Arterial-phase contrast-enhanced abdominal CT, axial slice 522 of 634 (counted from the lowest slice); tube voltage 120 kVp, convolution kernel B20f; slices 1.00 mm thick, 0.838 mm per pixel.
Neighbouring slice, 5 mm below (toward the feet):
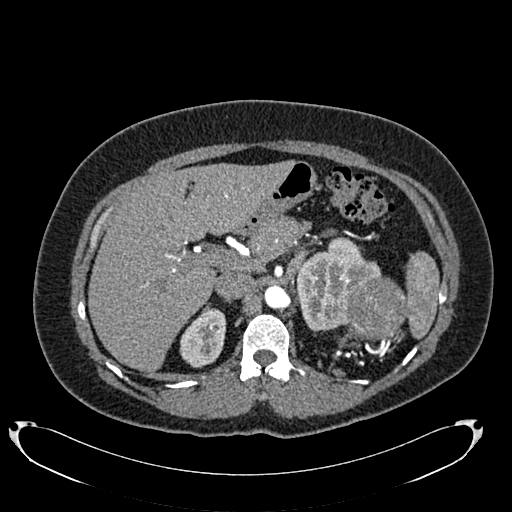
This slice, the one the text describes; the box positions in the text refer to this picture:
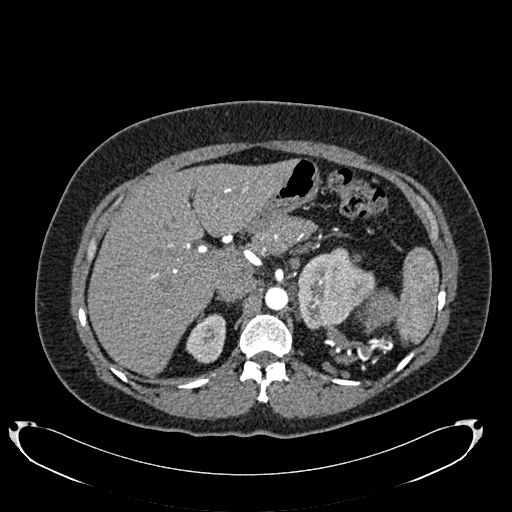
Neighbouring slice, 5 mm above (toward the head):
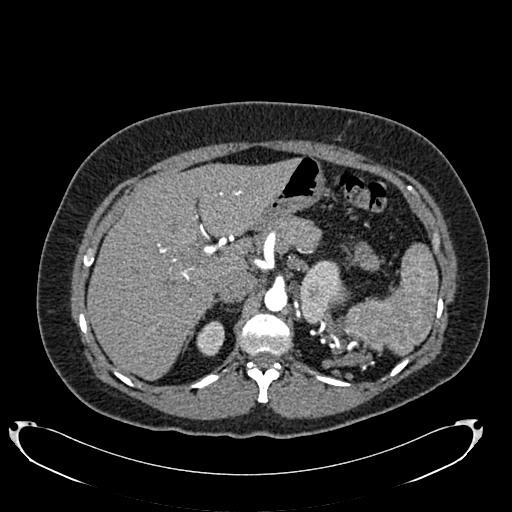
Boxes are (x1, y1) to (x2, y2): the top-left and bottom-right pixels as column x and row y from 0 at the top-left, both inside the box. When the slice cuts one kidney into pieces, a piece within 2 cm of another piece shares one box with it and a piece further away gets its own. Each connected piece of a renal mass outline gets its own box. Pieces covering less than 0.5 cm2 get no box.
Two kidney boxes and two renal mass boxes on this slice; by box centre, from the image's left to its right: (1) Box (185, 313) to (225, 363): right kidney (outlined area 1,494 px, about 10.5 cm2). (2) Left kidney, box (297, 247) to (375, 328) (outlined area 4,351 px, about 30.5 cm2). (3) Left renal mass from (355, 287) to (375, 307) (outlined area 92 px, about 0.6 cm2). (4) Left renal mass from (356, 288) to (396, 334) (outlined area 1,086 px, about 7.6 cm2). This slice lies near the end of the left renal mass toward the head; the slices 5 mm below and 5 mm above it are shown too, and the boxes mark positions on this slice only.